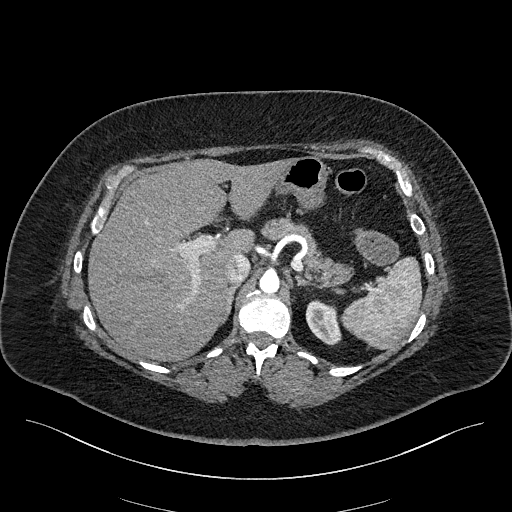
One axial slice (161 of 270, counting up from the lowest) of an arterial-phase abdominal CT acquired with 100 kVp, kernel I40f; each pixel is 0.855 mm and the slice is 2.00 mm thick.
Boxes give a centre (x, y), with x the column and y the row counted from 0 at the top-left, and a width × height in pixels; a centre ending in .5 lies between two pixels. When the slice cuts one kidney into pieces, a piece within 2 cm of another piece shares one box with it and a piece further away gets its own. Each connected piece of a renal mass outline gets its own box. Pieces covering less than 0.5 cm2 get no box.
Left kidney, box centre (323, 322), 37 × 47 pixels (outlined area 1,190 px, about 8.7 cm2). This slice carries no renal mass outline.